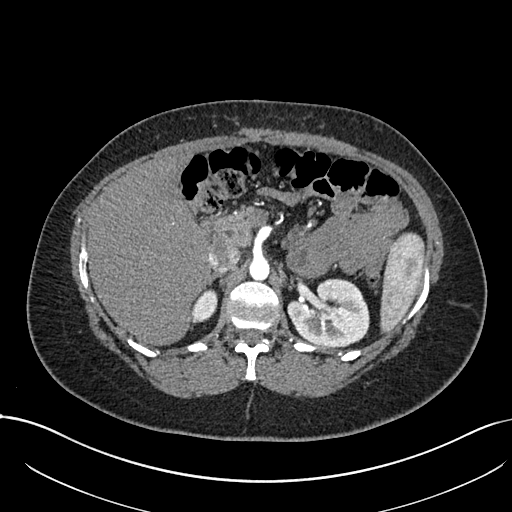
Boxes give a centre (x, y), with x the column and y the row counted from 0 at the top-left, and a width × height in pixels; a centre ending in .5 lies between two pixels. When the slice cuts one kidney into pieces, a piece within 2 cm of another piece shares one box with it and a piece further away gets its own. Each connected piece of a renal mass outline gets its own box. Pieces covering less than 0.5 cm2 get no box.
This is axial slice 491 of 738 (slice 1 is the lowest) of an arterial-phase abdominal CT with contrast; each pixel is 0.789 mm and the slice is 1.00 mm thick. Two kidney boxes on this slice; by box centre, from the image's left to its right: (1) Right kidney in a box with centre (204, 305.5), 27 × 36 pixels (outlined area 672 px, about 4.2 cm2). (2) Left kidney, box centre (328, 312), 83 × 69 pixels (outlined area 4,298 px, about 26.8 cm2). No renal mass outline on this slice.
Acquired at 120 kVp and reconstructed with the I30f kernel.